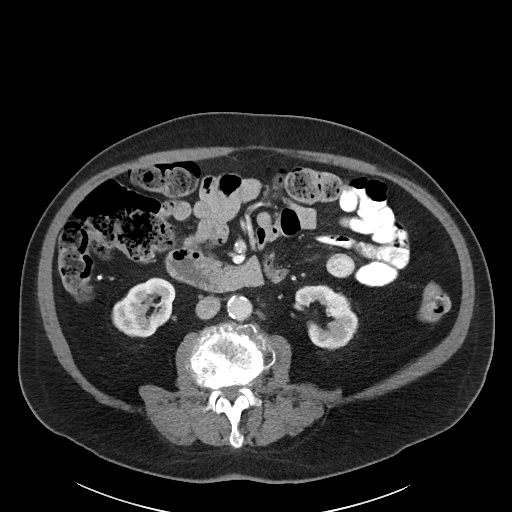
Arterial-phase contrast-enhanced abdominal CT, axial slice 55 of 89 (counted from the lowest slice); tube voltage 100 kVp, convolution kernel I40f; slices 5.00 mm thick, 0.885 mm per pixel.
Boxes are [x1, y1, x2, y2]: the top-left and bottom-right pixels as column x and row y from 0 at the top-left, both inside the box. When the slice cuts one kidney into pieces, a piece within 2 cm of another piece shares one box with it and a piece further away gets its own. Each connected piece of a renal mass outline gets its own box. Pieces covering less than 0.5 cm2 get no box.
Boxed on this slice (two kidney boxes), listed by box centre from the image's left to its right: (1) Right kidney at [111, 277, 176, 337] (outlined area 2,746 px, about 21.5 cm2). (2) Left kidney, box [293, 284, 358, 350] (outlined area 2,609 px, about 20.4 cm2). No renal mass outline on this slice.